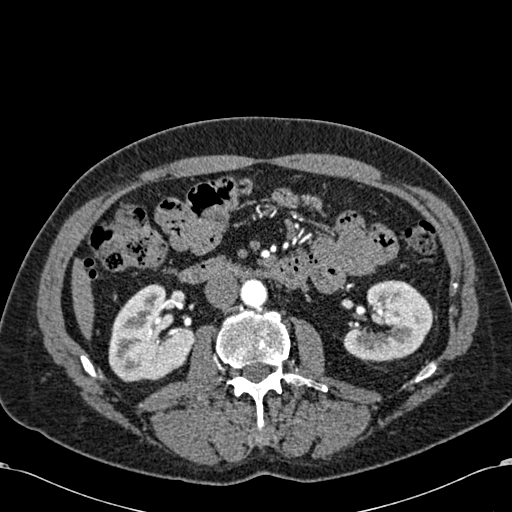
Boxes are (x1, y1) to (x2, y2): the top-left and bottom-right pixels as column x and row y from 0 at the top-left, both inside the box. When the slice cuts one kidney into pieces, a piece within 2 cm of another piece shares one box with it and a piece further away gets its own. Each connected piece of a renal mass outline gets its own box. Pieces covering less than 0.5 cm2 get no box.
Arterial-phase contrast-enhanced abdominal CT, axial slice 330 of 581 (counted from the lowest slice); 1.00 mm thick, 0.713 mm per pixel. Two boxes on this slice (two kidney boxes), listed by box centre from the image's left to its right. (1) Box (108, 283) to (193, 381): right kidney (outlined area 5,970 px, about 30.3 cm2). (2) Left kidney, box (342, 280) to (433, 361) (outlined area 5,130 px, about 26.1 cm2).
Acquired at 120 kVp and reconstructed with the B30f kernel.